Axial slice 129 of 206 of a contrast-enhanced abdominal CT (slice 1 is the lowest), 120 kVp, kernel STANDARD; 2.50 mm slice thickness and 0.879 mm pixels.
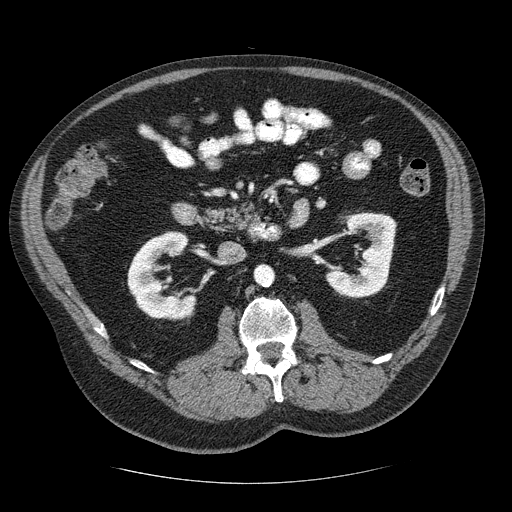
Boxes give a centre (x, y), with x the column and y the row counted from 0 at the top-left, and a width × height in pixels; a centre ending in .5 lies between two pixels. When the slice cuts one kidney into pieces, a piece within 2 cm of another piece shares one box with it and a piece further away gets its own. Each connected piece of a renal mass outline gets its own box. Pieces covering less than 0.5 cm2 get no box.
Boxed on this slice (two kidney boxes), listed by box centre from the image's left to its right: (1) Right kidney in a box with centre (161.5, 276), 70 × 91 pixels (outlined area 4,038 px, about 31.2 cm2). (2) Left kidney, box centre (360, 255), 73 × 87 pixels (outlined area 3,838 px, about 29.6 cm2). No renal mass is outlined on this slice.